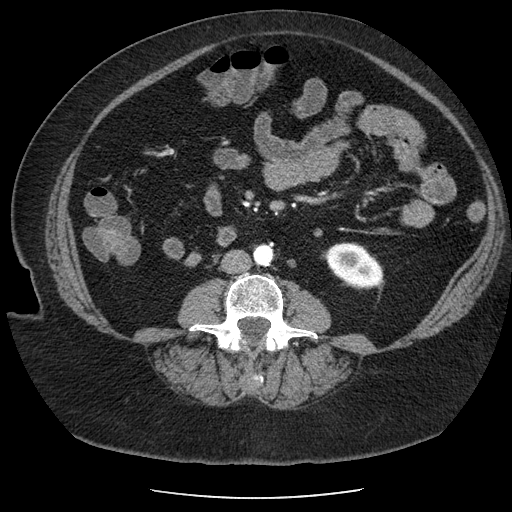
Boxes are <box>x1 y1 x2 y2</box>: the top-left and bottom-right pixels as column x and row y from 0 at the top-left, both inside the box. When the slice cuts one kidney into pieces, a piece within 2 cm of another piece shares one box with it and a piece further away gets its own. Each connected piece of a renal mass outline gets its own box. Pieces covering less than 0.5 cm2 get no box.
Slice 100/186 of a contrast-enhanced abdominal CT in the arterial phase, counting up from the lowest; pixel size 0.742 mm, slice thickness 2.50 mm. Left kidney at <box>321 242 384 288</box> (outlined area 2,070 px, about 11.4 cm2). No renal mass is outlined on this slice.
Tube voltage 120 kVp; convolution kernel STANDARD.